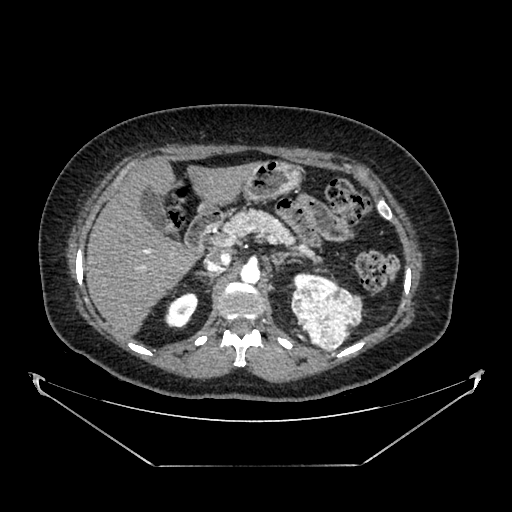
Axial slice 263 of 383 of a contrast-enhanced abdominal CT in the arterial phase (slice 1 is the lowest), 100 kVp, kernel SOFT; 1.25 mm slice thickness and 0.898 mm pixels.
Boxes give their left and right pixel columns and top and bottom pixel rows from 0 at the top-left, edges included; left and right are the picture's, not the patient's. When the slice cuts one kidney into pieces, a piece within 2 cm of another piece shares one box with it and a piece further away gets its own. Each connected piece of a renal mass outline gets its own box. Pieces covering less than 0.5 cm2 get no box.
Boxed on this slice (two kidney boxes and one renal mass box), listed by box centre from the image's left to its right: (1) Box with left 164, top 292, right 198, bottom 328: right kidney (outlined area 871 px, about 7.0 cm2). (2) Box with left 293, top 273, right 336, bottom 288: left kidney (outlined area 257 px, about 2.1 cm2). (3) Box with left 291, top 278, right 362, bottom 351: left renal mass (outlined area 3,664 px, about 29.6 cm2).